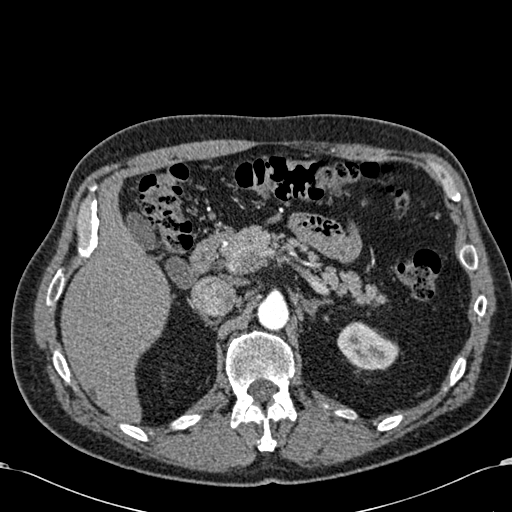
Arterial-phase contrast-enhanced abdominal CT, axial slice 432 of 581 (counted from the lowest slice); tube voltage 120 kVp, convolution kernel B30f; slices 1.00 mm thick, 0.713 mm per pixel.
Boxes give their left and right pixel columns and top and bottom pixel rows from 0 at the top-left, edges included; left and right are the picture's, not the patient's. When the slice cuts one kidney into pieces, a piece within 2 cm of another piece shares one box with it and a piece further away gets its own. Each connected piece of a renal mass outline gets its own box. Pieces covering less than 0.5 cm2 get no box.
Left kidney in the box with left 337, top 321, right 399, bottom 370 (outlined area 2,131 px, about 10.8 cm2). This slice carries no renal mass outline.